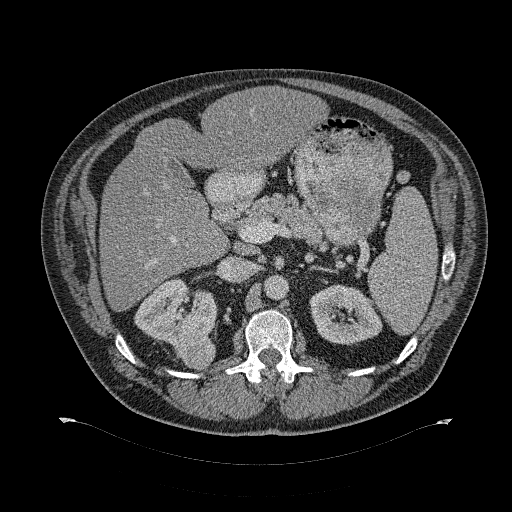
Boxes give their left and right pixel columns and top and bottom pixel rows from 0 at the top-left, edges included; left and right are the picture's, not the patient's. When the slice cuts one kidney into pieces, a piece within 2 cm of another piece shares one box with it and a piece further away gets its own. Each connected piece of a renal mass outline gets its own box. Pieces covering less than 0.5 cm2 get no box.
Slice 202/274 of a contrast-enhanced abdominal CT, counting up from the lowest; pixel size 0.977 mm, slice thickness 2.00 mm. Boxed on this slice (two kidney boxes and one renal mass box), listed by box centre from the image's left to its right: (1) Right kidney, the box with left 134, top 277, right 217, bottom 352 (outlined area 3,571 px, about 34.1 cm2). (2) Right renal mass, the box with left 174, top 325, right 215, bottom 369 (outlined area 1,322 px, about 12.6 cm2). (3) Left kidney, the box with left 309, top 284, right 382, bottom 345 (outlined area 3,327 px, about 31.7 cm2).
Scan settings: 120 kVp, B31f reconstruction kernel.